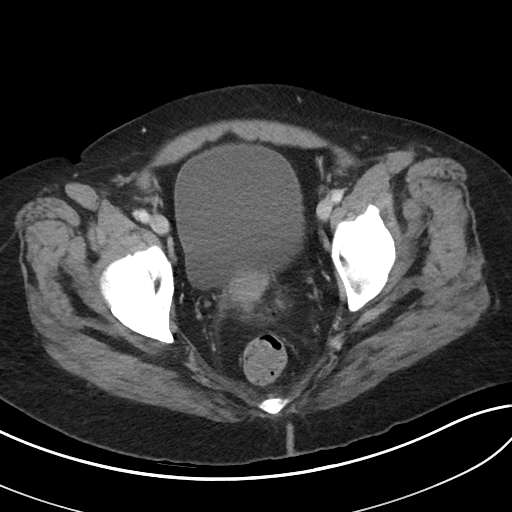
One axial slice (19 of 80, counting up from the lowest) of a contrast-enhanced abdominal CT acquired with 100 kVp, kernel I40f; each pixel is 0.703 mm and the slice is 5.00 mm thick.
This slice carries no outline: it lies beyond the outlined kidneys and beyond every outlined renal mass. Other organs are not outlined in this scan.